Axial slice 40 of 77 of a contrast-enhanced abdominal CT in the arterial phase (slice 1 is the lowest), 100 kVp, kernel B41f; 3.00 mm slice thickness and 0.809 mm pixels.
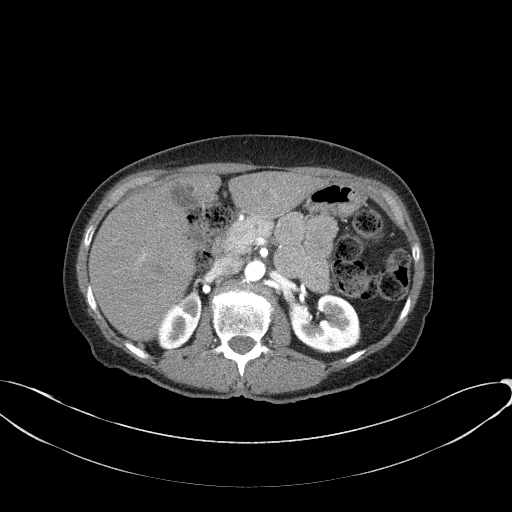
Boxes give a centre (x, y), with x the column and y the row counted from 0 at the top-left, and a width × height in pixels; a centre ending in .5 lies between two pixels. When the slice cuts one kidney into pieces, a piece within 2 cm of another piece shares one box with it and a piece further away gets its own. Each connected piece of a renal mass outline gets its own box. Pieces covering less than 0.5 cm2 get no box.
Boxed on this slice (two kidney boxes), listed by box centre from the image's left to its right: (1) Right kidney in a box with centre (179.5, 319.5), 46 × 60 pixels (outlined area 1,676 px, about 11.0 cm2). (2) Box centre (324, 323), 73 × 61 pixels: left kidney (outlined area 3,281 px, about 21.5 cm2). This slice carries no renal mass outline.